Axial slice 295 of 735 of a contrast-enhanced abdominal CT in the arterial phase (slice 1 is the lowest), 120 kVp, kernel I30f; 1.00 mm slice thickness and 0.789 mm pixels.
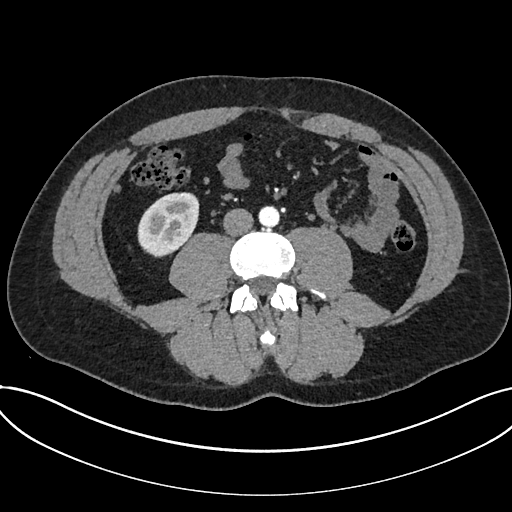
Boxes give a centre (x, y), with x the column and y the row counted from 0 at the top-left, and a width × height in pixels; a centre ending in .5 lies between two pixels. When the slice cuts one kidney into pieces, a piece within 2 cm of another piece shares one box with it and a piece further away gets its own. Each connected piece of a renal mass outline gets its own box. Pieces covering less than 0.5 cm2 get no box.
Kidney in a box with centre (168, 224.5), 63 × 66 pixels (outlined area 3,003 px, about 18.7 cm2). No renal mass outline on this slice.